Abdominal CT with intravenous contrast, arterial phase, axial plane, 120 kVp, kernel B30f. Slice 421/581 from the bottom of the scan; thickness 1.00 mm; pixel size 0.713 mm.
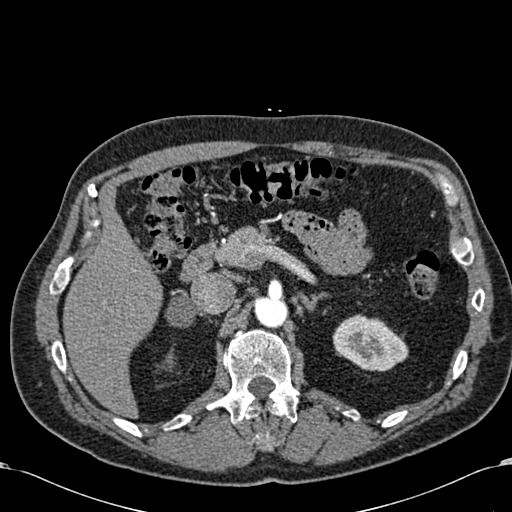
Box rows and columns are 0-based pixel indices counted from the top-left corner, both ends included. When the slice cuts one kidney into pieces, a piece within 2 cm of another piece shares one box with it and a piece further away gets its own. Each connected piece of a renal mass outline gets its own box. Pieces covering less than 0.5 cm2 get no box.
Left kidney, box rows 314–371, columns 332–408 (outlined area 3,073 px, about 15.6 cm2). No renal mass is outlined on this slice.